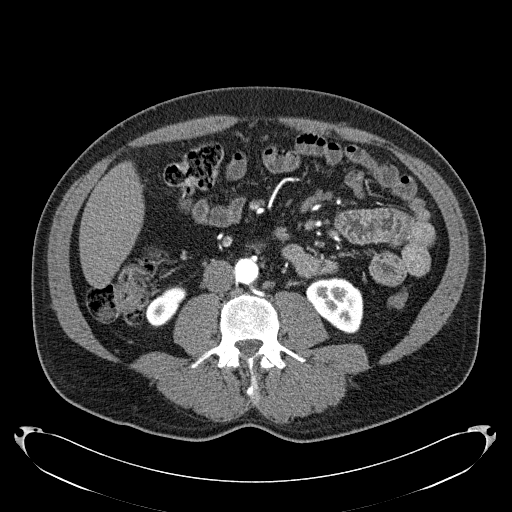
One axial slice (76 of 279, counting up from the lowest) of an arterial-phase abdominal CT acquired with 120 kVp, kernel B31f; each pixel is 0.824 mm and the slice is 2.00 mm thick.
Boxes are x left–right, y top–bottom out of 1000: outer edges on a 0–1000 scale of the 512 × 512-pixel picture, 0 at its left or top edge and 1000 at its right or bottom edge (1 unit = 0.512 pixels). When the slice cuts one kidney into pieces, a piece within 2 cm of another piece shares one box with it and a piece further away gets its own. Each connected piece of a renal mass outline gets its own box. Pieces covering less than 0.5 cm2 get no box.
Two boxes on this slice (two kidney boxes), listed by box centre from the image's left to its right. (1) Right kidney, box x 283–365, y 557–637 out of 1000 (outlined area 1,055 px, about 7.2 cm2). (2) Box x 598–711, y 541–652 out of 1000: left kidney (outlined area 2,362 px, about 16.0 cm2). No renal mass outline on this slice.